Axial slice 362 of 673 of a contrast-enhanced abdominal CT in the arterial phase (slice 1 is the lowest), 140 kVp, kernel I30f; 1.00 mm slice thickness and 0.957 mm pixels.
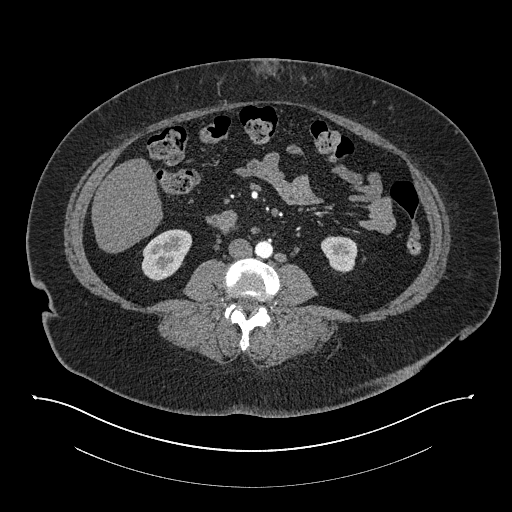
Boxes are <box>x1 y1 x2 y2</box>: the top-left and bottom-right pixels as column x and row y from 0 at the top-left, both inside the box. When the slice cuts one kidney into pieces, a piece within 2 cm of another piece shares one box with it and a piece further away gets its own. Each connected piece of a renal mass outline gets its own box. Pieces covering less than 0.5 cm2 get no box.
Two boxes on this slice (two kidney boxes), listed by box centre from the image's left to its right. (1) At <box>141 229 192 280</box>: right kidney (outlined area 1,890 px, about 17.3 cm2). (2) At <box>320 236 357 273</box>: left kidney (outlined area 1,051 px, about 9.6 cm2). This slice carries no renal mass outline.